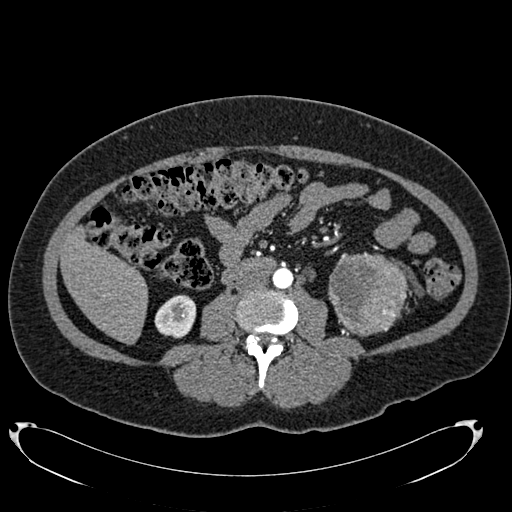
Axial slice 340 of 634 of a contrast-enhanced abdominal CT in the arterial phase (slice 1 is the lowest), 120 kVp, kernel B20f; 1.00 mm slice thickness and 0.838 mm pixels.
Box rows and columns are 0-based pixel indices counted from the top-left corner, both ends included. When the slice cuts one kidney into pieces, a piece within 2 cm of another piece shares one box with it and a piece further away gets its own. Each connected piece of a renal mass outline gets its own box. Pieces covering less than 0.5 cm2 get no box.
One kidney box and one renal mass box on this slice; by box centre, from the image's left to its right: (1) Right kidney at rows 294–338, columns 154–196 (outlined area 1,405 px, about 9.9 cm2). (2) Left renal mass, box rows 252–336, columns 328–407 (outlined area 5,221 px, about 36.7 cm2); it sits over 1 cm from every kidney outline on this slice, but the same outlined renal mass comes within 1 cm of the kidney on another slice.